Abdominal CT with intravenous contrast, arterial phase, axial plane, 120 kVp, kernel I30f. Slice 405/735 from the bottom of the scan; thickness 1.00 mm; pixel size 0.789 mm.
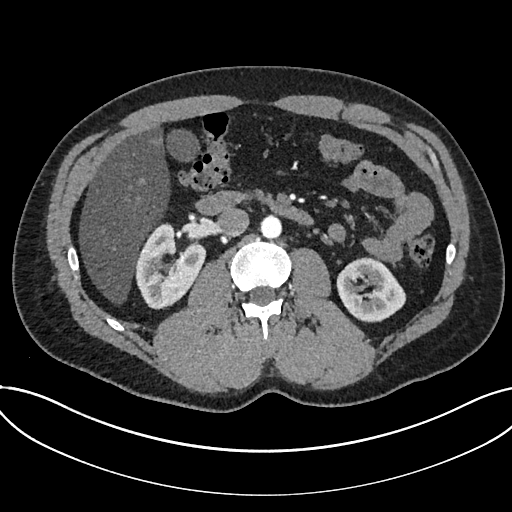
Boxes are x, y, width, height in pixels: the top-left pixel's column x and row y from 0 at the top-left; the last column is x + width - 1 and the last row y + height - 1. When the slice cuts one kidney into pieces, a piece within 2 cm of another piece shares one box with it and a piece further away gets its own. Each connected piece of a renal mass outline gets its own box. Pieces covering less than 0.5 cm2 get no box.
Two kidney boxes on this slice; by box centre, from the image's left to its right: (1) Kidney at x 134, y 223, width 72, height 87 (outlined area 4,150 px, about 25.8 cm2). (2) Kidney at x 336, y 257, width 71, height 66 (outlined area 3,294 px, about 20.5 cm2). No renal mass is outlined on this slice.